Abdominal CT with intravenous contrast, arterial phase, axial plane, 120 kVp, kernel I30f. Slice 229/670 from the bottom of the scan; thickness 1.00 mm; pixel size 0.861 mm.
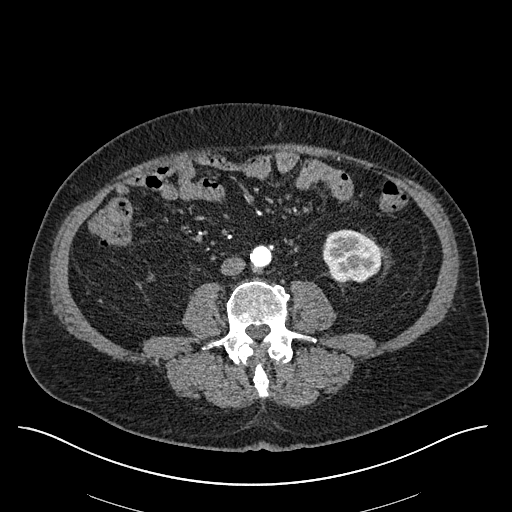
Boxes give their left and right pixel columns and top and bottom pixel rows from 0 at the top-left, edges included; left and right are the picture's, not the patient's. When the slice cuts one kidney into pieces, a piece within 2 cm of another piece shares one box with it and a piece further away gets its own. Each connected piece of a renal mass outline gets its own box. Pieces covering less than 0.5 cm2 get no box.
Left kidney in the box with left 322, top 229, right 381, bottom 282 (outlined area 2,527 px, about 18.7 cm2). No renal mass is outlined on this slice.